One axial slice (196 of 538, counting up from the lowest) of an arterial-phase abdominal CT acquired with 120 kVp, kernel B30f; each pixel is 0.811 mm and the slice is 1.00 mm thick.
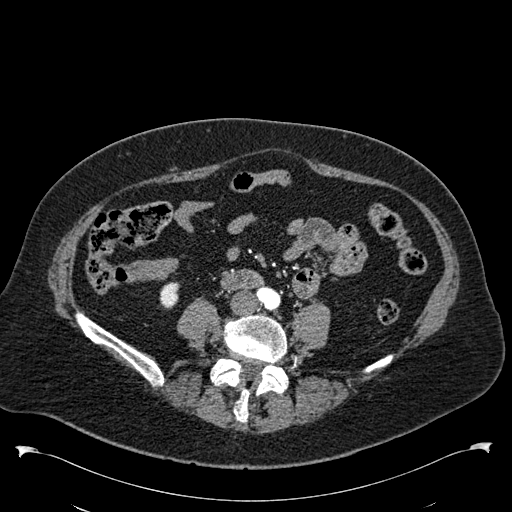
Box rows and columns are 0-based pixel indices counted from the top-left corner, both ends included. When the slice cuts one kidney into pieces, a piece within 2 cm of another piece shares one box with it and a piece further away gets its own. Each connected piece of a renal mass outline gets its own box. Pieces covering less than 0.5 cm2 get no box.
Right kidney at rows 282–308, columns 159–179 (outlined area 438 px, about 2.9 cm2). No renal mass outline on this slice.